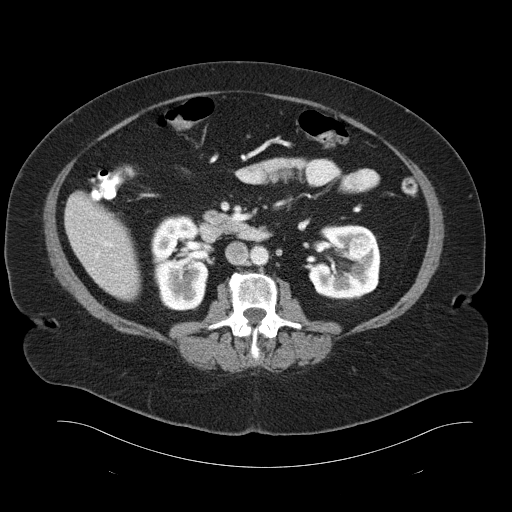
One axial slice (56 of 93, counting up from the lowest) of a contrast-enhanced abdominal CT acquired with 120 kVp, kernel B30f; each pixel is 0.938 mm and the slice is 5.00 mm thick.
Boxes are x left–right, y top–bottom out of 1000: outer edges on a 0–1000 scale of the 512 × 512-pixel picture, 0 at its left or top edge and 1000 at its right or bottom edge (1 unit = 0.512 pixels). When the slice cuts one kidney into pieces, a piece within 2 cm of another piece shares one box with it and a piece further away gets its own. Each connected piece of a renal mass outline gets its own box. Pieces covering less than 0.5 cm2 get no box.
Three boxes on this slice (two kidney boxes and one renal mass box), listed by box centre from the image's left to its right. (1) Right kidney at x 293–408, y 418–607 out of 1000 (outlined area 4,549 px, about 40.0 cm2). (2) Left kidney, box x 602–744, y 438–588 out of 1000 (outlined area 4,085 px, about 35.9 cm2). (3) Box x 682–727, y 459–506 out of 1000: left renal mass (outlined area 429 px, about 3.8 cm2).